Abdominal CT with intravenous contrast, arterial phase, axial plane, 140 kVp, kernel I30f. Slice 25/36 from the bottom of the scan; thickness 5.00 mm; pixel size 0.906 mm.
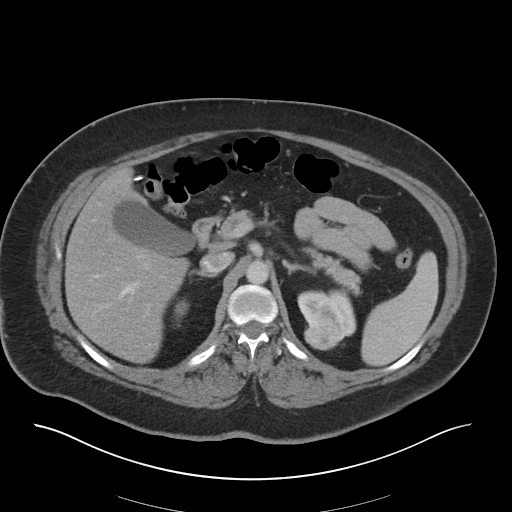
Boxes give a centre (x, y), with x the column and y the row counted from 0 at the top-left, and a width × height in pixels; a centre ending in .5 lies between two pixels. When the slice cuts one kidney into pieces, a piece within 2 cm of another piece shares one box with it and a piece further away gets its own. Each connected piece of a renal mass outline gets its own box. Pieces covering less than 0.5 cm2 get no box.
Two boxes on this slice (one kidney box and one renal mass box), listed by box centre from the image's left to its right. (1) Left renal mass in a box with centre (324, 333), 41 × 35 pixels (outlined area 986 px, about 8.1 cm2). (2) Left kidney, box centre (326.5, 311.5), 60 × 50 pixels (outlined area 1,844 px, about 15.1 cm2).